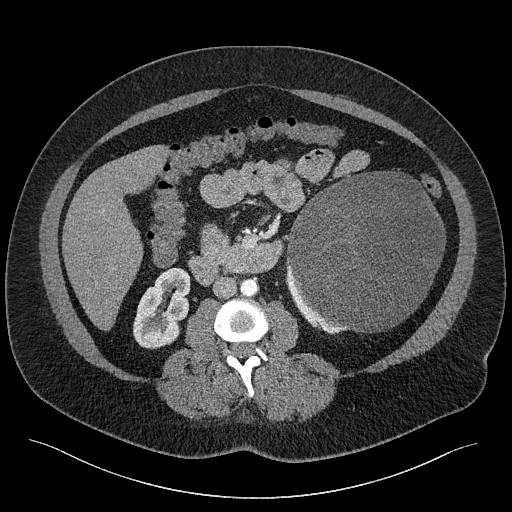
Axial slice 109 of 301 of a contrast-enhanced abdominal CT (slice 1 is the lowest), 120 kVp, kernel I40f; 2.00 mm slice thickness and 0.859 mm pixels.
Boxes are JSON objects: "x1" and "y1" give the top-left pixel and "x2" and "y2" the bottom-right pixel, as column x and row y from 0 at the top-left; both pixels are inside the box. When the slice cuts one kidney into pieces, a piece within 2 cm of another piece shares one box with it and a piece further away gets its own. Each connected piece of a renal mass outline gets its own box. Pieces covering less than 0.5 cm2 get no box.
Three boxes on this slice (two kidney boxes and one renal mass box), listed by box centre from the image's left to its right. (1) Right kidney at {"x1": 133, "y1": 267, "x2": 190, "y2": 349} (outlined area 3,352 px, about 24.8 cm2). (2) Left kidney, box {"x1": 285, "y1": 265, "x2": 346, "y2": 334} (outlined area 646 px, about 4.8 cm2). (3) Box {"x1": 286, "y1": 171, "x2": 445, "y2": 332}: left renal mass (outlined area 19,842 px, about 146.5 cm2).